Abdominal CT with intravenous contrast, axial plane, 140 kVp, kernel I44f. Slice 32/86 from the bottom of the scan; thickness 3.00 mm; pixel size 0.977 mm.
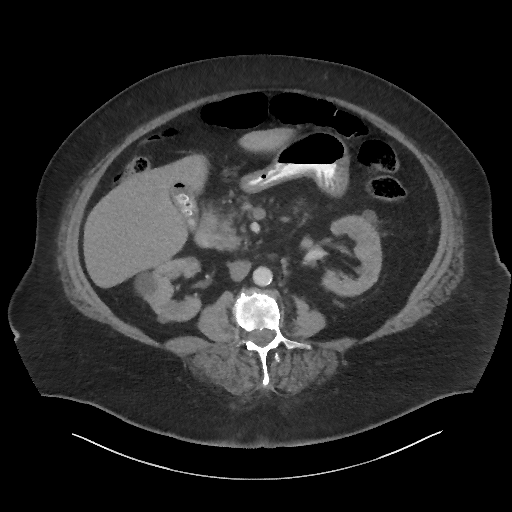
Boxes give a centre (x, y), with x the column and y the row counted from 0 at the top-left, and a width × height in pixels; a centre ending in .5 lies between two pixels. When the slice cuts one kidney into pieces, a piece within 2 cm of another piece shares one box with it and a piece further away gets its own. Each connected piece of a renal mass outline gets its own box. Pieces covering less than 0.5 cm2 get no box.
Boxed on this slice (two kidney boxes), listed by box centre from the image's left to its right: (1) Right kidney in a box with centre (168.5, 289.5), 68 × 66 pixels (outlined area 2,770 px, about 26.4 cm2). (2) Box centre (351.5, 257.5), 62 × 78 pixels: left kidney (outlined area 3,024 px, about 28.8 cm2). This slice carries no renal mass outline.